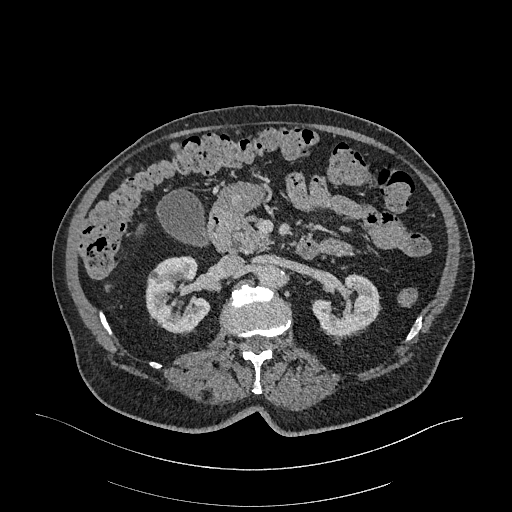
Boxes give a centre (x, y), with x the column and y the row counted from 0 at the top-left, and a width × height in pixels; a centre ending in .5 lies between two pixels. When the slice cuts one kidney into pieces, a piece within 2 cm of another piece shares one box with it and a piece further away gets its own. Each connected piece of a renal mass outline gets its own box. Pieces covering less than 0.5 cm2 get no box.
This is axial slice 183 of 470 (slice 1 is the lowest) of an arterial-phase abdominal CT with contrast; each pixel is 0.938 mm and the slice is 1.00 mm thick. Boxed on this slice (two kidney boxes), listed by box centre from the image's left to its right: (1) Right kidney in a box with centre (177.5, 294.5), 66 × 78 pixels (outlined area 3,692 px, about 32.4 cm2). (2) Left kidney in a box with centre (345.5, 304), 68 × 63 pixels (outlined area 2,757 px, about 24.2 cm2). No renal mass outline on this slice.
Tube voltage 120 kVp; convolution kernel I26f.